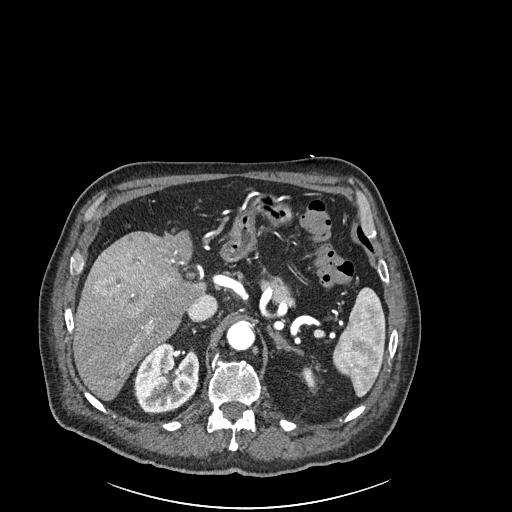
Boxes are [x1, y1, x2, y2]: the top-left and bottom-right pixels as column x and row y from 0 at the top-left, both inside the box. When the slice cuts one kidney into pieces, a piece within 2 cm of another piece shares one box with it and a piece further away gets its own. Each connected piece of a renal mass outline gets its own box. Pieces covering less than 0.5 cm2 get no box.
This is axial slice 166 of 261 (slice 1 is the lowest) of an arterial-phase abdominal CT with contrast; each pixel is 0.939 mm and the slice is 2.00 mm thick. Two boxes on this slice (two kidney boxes), listed by box centre from the image's left to its right. (1) Right kidney, box [133, 342, 199, 414] (outlined area 3,645 px, about 32.2 cm2). (2) Left kidney at [302, 367, 314, 385] (outlined area 181 px, about 1.6 cm2). No renal mass is outlined on this slice.
Acquired at 120 kVp and reconstructed with the I30f kernel.